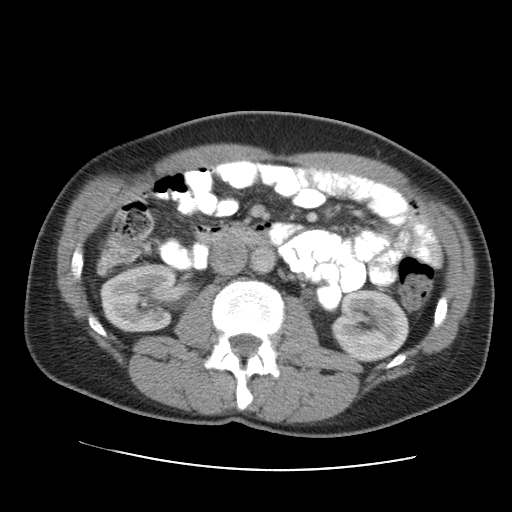
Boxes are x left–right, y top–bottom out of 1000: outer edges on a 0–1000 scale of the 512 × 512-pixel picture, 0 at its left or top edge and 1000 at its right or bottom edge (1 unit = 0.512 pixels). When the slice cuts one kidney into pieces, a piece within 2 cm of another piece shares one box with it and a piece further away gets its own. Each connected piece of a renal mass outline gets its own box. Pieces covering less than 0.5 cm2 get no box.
Arterial-phase contrast-enhanced abdominal CT, axial slice 65 of 105 (counted from the lowest slice); 5.00 mm thick, 0.707 mm per pixel. Two boxes on this slice (two kidney boxes), listed by box centre from the image's left to its right. (1) Right kidney at x 195–346, y 514–650 out of 1000 (outlined area 4,365 px, about 21.8 cm2). (2) Left kidney at x 643–801, y 566–709 out of 1000 (outlined area 4,436 px, about 22.2 cm2). No renal mass outline on this slice.
Tube voltage 120 kVp; convolution kernel STANDARD.